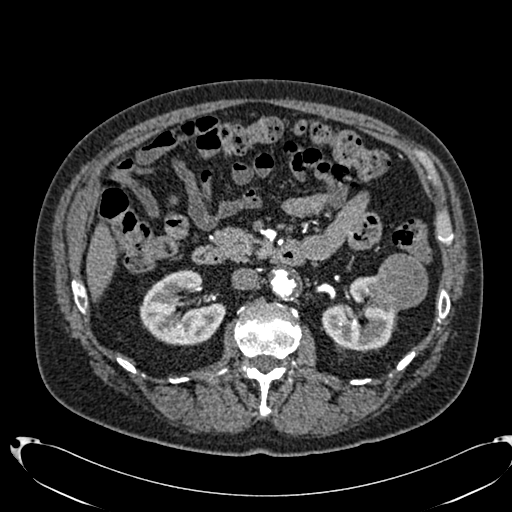
Arterial-phase contrast-enhanced abdominal CT, axial slice 419 of 553 (counted from the lowest slice); tube voltage 120 kVp, convolution kernel B20f; slices 1.00 mm thick, 0.773 mm per pixel.
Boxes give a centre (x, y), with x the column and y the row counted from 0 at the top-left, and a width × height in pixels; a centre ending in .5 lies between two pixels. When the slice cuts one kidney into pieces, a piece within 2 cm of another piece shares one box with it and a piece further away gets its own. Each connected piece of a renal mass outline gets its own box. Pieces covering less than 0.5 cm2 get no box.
Three boxes on this slice (two kidney boxes and one renal mass box), listed by box centre from the image's left to its right. (1) Right kidney in a box with centre (182.5, 307.5), 88 × 76 pixels (outlined area 4,534 px, about 27.1 cm2). (2) Left kidney, box centre (360, 312.5), 79 × 76 pixels (outlined area 3,483 px, about 20.8 cm2). (3) Box centre (401, 281), 55 × 57 pixels: left renal mass (outlined area 2,446 px, about 14.6 cm2).